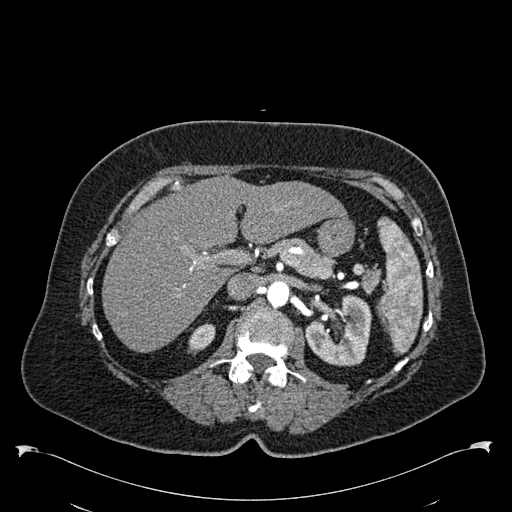
Abdominal CT with intravenous contrast, arterial phase, axial plane, 120 kVp, kernel B30f. Slice 381/538 from the bottom of the scan; thickness 1.00 mm; pixel size 0.811 mm.
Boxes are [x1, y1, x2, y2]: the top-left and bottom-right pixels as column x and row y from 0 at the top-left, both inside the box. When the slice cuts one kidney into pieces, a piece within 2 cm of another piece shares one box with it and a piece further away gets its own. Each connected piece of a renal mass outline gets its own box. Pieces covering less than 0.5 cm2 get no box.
Two kidney boxes on this slice; by box centre, from the image's left to its right: (1) Box [187, 323, 215, 354]: right kidney (outlined area 588 px, about 3.9 cm2). (2) Box [304, 294, 371, 366]: left kidney (outlined area 3,391 px, about 22.3 cm2). No renal mass is outlined on this slice.